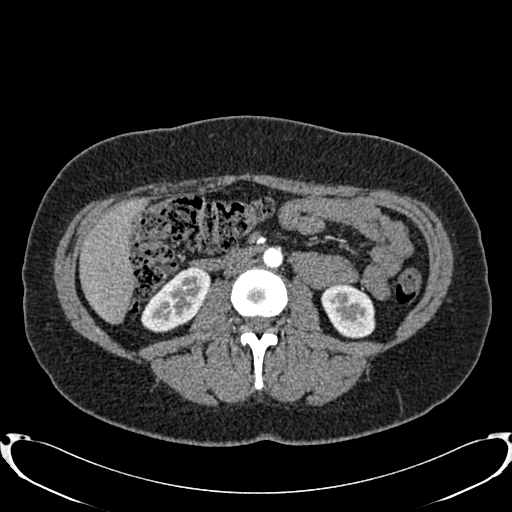
Axial slice 408 of 719 of a contrast-enhanced abdominal CT in the arterial phase (slice 1 is the lowest), 120 kVp, kernel B20f; 1.00 mm slice thickness and 0.766 mm pixels.
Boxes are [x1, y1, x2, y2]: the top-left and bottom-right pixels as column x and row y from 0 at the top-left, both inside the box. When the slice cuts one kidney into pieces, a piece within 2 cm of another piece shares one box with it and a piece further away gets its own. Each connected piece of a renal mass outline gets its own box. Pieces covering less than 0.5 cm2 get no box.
Boxed on this slice (two kidney boxes), listed by box centre from the image's left to its right: (1) Right kidney at [141, 267, 210, 332] (outlined area 2,899 px, about 17.0 cm2). (2) Left kidney, box [321, 283, 375, 338] (outlined area 2,292 px, about 13.4 cm2). No renal mass is outlined on this slice.